One axial slice (5 of 94, counting up from the lowest) of a contrast-enhanced abdominal CT acquired with 120 kVp, kernel B41f; each pixel is 0.977 mm and the slice is 3.00 mm thick.
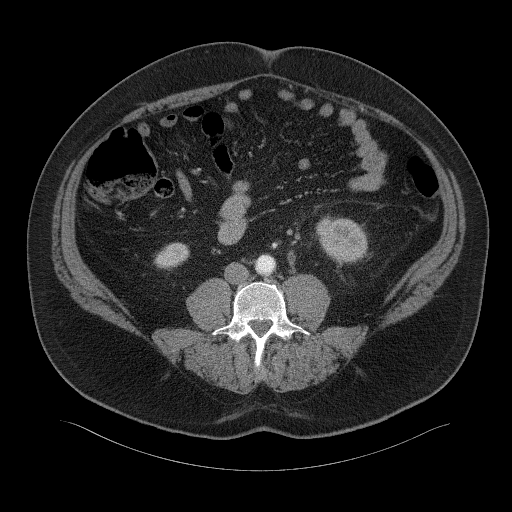
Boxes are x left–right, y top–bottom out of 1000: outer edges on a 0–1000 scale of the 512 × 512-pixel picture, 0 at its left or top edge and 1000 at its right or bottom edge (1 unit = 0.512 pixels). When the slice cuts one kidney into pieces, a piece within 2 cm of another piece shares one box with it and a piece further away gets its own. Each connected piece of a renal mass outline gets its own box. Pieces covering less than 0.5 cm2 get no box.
Boxed on this slice (two kidney boxes), listed by box centre from the image's left to its right: (1) Right kidney at x 301–371, y 473–529 out of 1000 (outlined area 719 px, about 6.9 cm2). (2) Left kidney at x 617–719, y 424–514 out of 1000 (outlined area 1,855 px, about 17.7 cm2). This slice carries no renal mass outline.